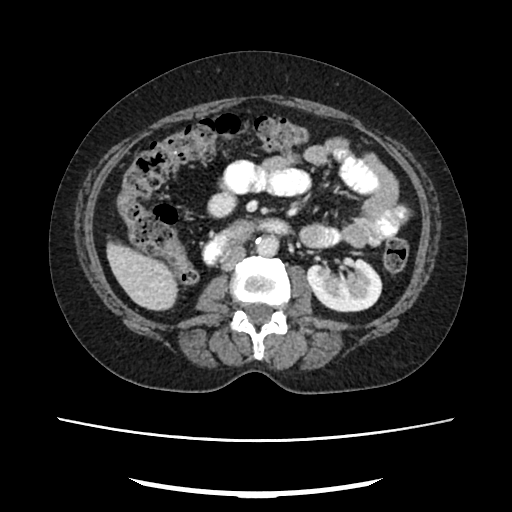
Abdominal CT with intravenous contrast, arterial phase, axial plane, 120 kVp, kernel FC18. Slice 126/207 from the bottom of the scan; thickness 2.00 mm; pixel size 0.741 mm.
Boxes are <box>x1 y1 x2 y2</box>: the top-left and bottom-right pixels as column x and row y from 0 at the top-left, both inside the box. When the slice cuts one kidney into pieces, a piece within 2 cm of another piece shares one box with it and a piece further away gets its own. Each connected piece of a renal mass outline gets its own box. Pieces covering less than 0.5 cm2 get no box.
Left kidney: <box>305 257 382 312</box> (outlined area 3,222 px, about 17.7 cm2). No renal mass outline on this slice.